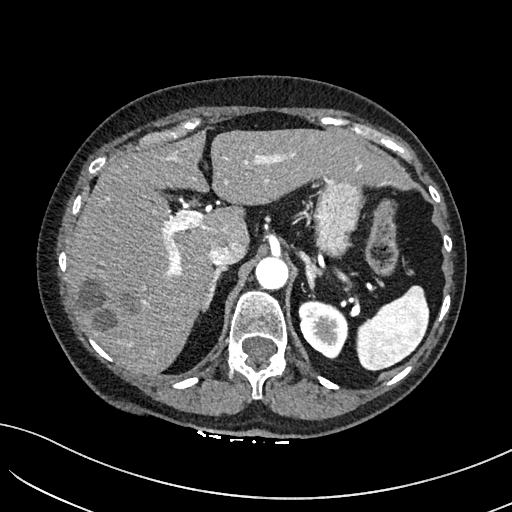
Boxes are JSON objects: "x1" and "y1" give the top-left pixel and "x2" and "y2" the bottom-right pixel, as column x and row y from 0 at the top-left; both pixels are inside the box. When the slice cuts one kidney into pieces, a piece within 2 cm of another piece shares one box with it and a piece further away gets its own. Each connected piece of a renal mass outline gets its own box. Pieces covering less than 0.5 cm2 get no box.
Slice 123/234 of a contrast-enhanced abdominal CT in the arterial phase, counting up from the lowest; pixel size 0.699 mm, slice thickness 2.00 mm. Box {"x1": 298, "y1": 299, "x2": 347, "y2": 359}: left kidney (outlined area 2,182 px, about 10.7 cm2). This slice carries no renal mass outline.
Tube voltage 100 kVp; convolution kernel I40f.